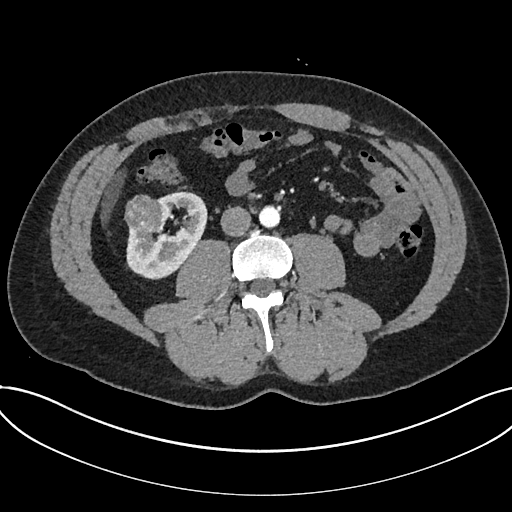
Abdominal CT with intravenous contrast, arterial phase, axial plane, 120 kVp, kernel I30f. Slice 333/735 from the bottom of the scan; thickness 1.00 mm; pixel size 0.789 mm.
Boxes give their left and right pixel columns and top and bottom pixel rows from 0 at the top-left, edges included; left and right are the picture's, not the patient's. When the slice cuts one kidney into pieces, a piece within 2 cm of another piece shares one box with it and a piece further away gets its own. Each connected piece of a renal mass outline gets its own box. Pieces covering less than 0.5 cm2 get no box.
Two boxes on this slice (one kidney box and one renal mass box), listed by box centre from the image's left to its right. (1) Box with left 124, top 194, right 163, bottom 233: renal mass (outlined area 1,269 px, about 7.9 cm2). (2) Box with left 126, top 191, right 207, bottom 279: kidney (outlined area 4,168 px, about 26.0 cm2).